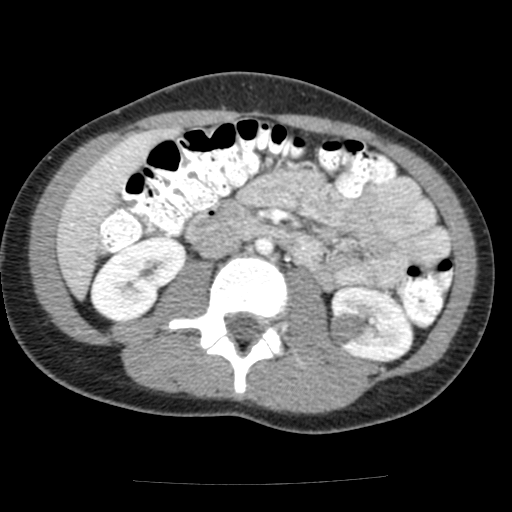
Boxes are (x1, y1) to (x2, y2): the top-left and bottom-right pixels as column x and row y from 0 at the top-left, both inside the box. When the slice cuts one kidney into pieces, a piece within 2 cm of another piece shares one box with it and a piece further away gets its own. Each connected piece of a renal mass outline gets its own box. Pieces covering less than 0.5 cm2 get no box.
Arterial-phase contrast-enhanced abdominal CT, axial slice 74 of 117 (counted from the lowest slice); 3.00 mm thick, 0.518 mm per pixel. Three boxes on this slice (two kidney boxes and one renal mass box), listed by box centre from the image's left to its right. (1) Right kidney, box (90, 235) to (186, 321) (outlined area 5,548 px, about 14.9 cm2). (2) Left renal mass from (328, 311) to (365, 347) (outlined area 1,010 px, about 2.7 cm2). (3) Box (330, 286) to (414, 362): left kidney (outlined area 4,093 px, about 11.0 cm2).
Acquired at 120 kVp and reconstructed with the FC12 kernel.